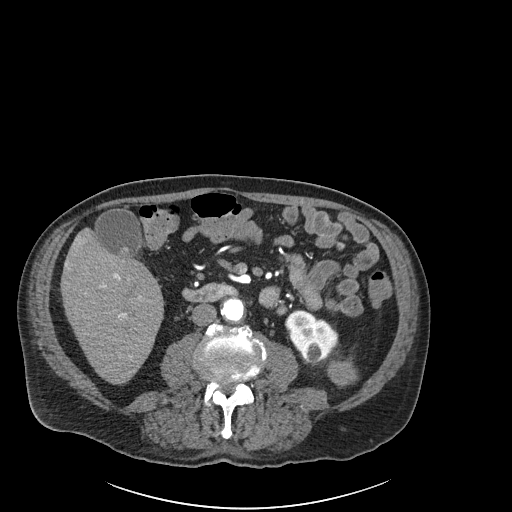
Axial slice 71 of 261 of a contrast-enhanced abdominal CT in the arterial phase (slice 1 is the lowest), 120 kVp, kernel I30f; 2.00 mm slice thickness and 0.939 mm pixels.
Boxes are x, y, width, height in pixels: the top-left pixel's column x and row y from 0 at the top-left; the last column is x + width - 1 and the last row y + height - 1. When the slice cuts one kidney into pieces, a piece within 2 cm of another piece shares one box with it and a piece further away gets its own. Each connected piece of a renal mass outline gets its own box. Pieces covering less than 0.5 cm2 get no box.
Boxed on this slice (one kidney box and one renal mass box), listed by box centre from the image's left to its right: (1) Left kidney at x 285, y 310, width 53, height 55 (outlined area 1,933 px, about 17.1 cm2). (2) Left renal mass, box x 327, y 360, width 31, height 26 (outlined area 632 px, about 5.6 cm2).